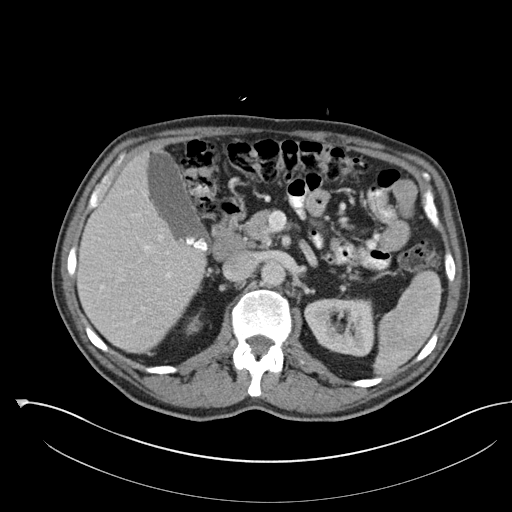
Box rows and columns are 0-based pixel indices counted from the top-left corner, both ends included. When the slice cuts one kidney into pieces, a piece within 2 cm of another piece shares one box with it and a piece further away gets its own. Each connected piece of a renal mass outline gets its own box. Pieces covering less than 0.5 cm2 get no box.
Contrast-enhanced abdominal CT, axial slice 73 of 142 (counted from the lowest slice); 5.00 mm thick, 0.855 mm per pixel. Two boxes on this slice (two kidney boxes), listed by box centre from the image's left to its right. (1) Right kidney at rows 313–335, columns 185–202 (outlined area 234 px, about 1.7 cm2). (2) Left kidney at rows 296–356, columns 304–375 (outlined area 3,408 px, about 24.9 cm2). No renal mass is outlined on this slice.
Scan settings: 100 kVp, I30f reconstruction kernel.